Arterial-phase contrast-enhanced abdominal CT, axial slice 447 of 626 (counted from the lowest slice); tube voltage 120 kVp, convolution kernel I30f; slices 1.00 mm thick, 0.703 mm per pixel.
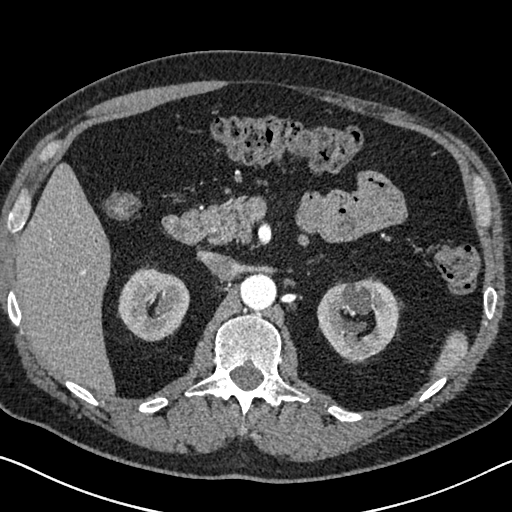
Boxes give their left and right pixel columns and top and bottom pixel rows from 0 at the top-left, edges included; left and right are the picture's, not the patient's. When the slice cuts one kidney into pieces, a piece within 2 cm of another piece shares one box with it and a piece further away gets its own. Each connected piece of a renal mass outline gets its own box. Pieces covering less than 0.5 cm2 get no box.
Two kidney boxes on this slice; by box centre, from the image's left to its right: (1) Right kidney in the box with left 117, top 266, right 189, bottom 340 (outlined area 3,952 px, about 19.5 cm2). (2) Box with left 317, top 276, right 399, bottom 360: left kidney (outlined area 4,903 px, about 24.2 cm2). No renal mass is outlined on this slice.